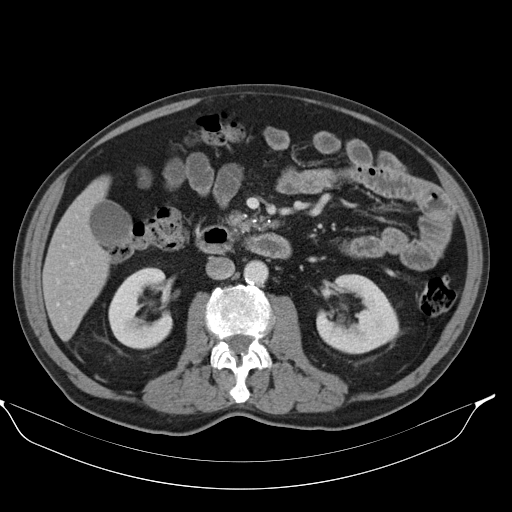
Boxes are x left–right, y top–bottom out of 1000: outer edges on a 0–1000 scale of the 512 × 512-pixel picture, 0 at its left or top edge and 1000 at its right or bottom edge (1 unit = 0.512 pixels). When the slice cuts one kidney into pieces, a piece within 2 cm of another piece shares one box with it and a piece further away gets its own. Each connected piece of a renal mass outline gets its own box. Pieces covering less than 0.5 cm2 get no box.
This is axial slice 54 of 98 (slice 1 is the lowest) of an abdominal CT with contrast; each pixel is 0.840 mm and the slice is 5.00 mm thick. Boxed on this slice (two kidney boxes), listed by box centre from the image's left to its right: (1) Right kidney, box x 211–338, y 521–684 out of 1000 (outlined area 3,841 px, about 27.1 cm2). (2) Box x 617–785, y 535–693 out of 1000: left kidney (outlined area 4,539 px, about 32.0 cm2). This slice carries no renal mass outline.
Acquired at 130 kVp and reconstructed with the B30s kernel.